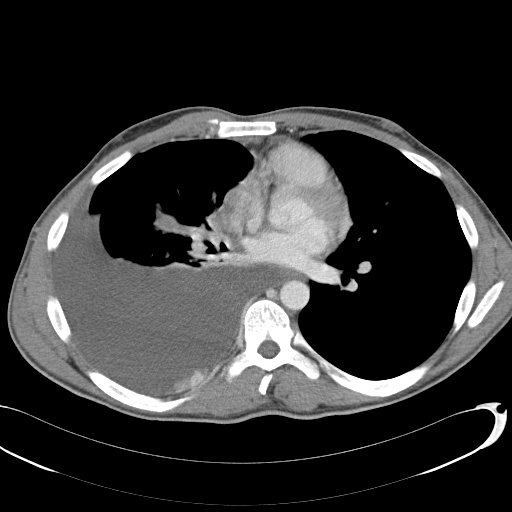
Contrast-enhanced abdominal CT, axial slice 109 of 146 (counted from the lowest slice); tube voltage 120 kVp, convolution kernel B31f; slices 5.00 mm thick, 0.742 mm per pixel.
No kidney and no renal mass is outlined on this slice; the outlines in this scan cover only the kidneys and the renal masses, so nothing is said about any other organ.